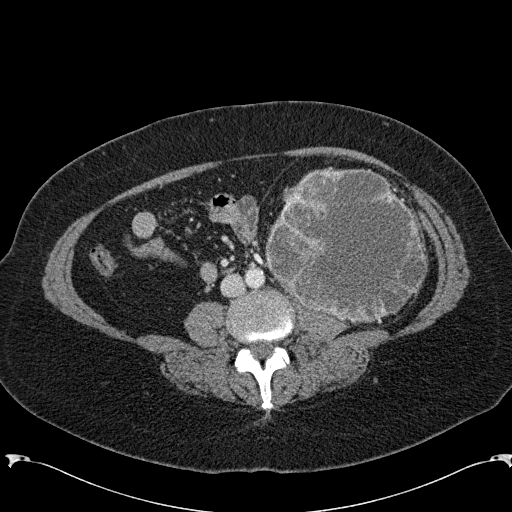
Axial slice 68 of 285 of a contrast-enhanced abdominal CT in the arterial phase (slice 1 is the lowest), 120 kVp, kernel B31f; 2.00 mm slice thickness and 0.762 mm pixels.
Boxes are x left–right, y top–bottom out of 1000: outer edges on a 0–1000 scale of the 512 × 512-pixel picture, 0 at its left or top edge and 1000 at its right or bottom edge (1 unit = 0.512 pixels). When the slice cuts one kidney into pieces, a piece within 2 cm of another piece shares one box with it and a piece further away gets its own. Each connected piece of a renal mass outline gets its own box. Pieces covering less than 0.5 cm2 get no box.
Left renal mass, box x 518–836, y 326–631 out of 1000 (outlined area 19,105 px, about 110.9 cm2); no kidney is outlined on this slice, but the same outlined renal mass comes within 1 cm of the kidney on another slice.